Arterial-phase contrast-enhanced abdominal CT, axial slice 68 of 88 (counted from the lowest slice); tube voltage 120 kVp, convolution kernel B41f; slices 5.00 mm thick, 0.723 mm per pixel.
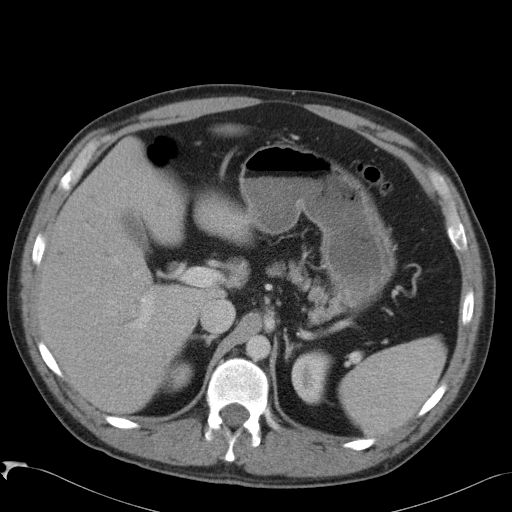
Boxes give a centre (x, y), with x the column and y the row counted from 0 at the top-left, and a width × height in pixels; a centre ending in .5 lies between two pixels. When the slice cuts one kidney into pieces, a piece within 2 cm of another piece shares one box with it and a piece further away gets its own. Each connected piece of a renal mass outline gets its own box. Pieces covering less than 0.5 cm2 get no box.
Two kidney boxes on this slice; by box centre, from the image's left to its right: (1) Box centre (179, 376.5), 27 × 30 pixels: right kidney (outlined area 569 px, about 3.0 cm2). (2) Box centre (311.5, 377), 42 × 55 pixels: left kidney (outlined area 1,652 px, about 8.6 cm2). No renal mass is outlined on this slice.